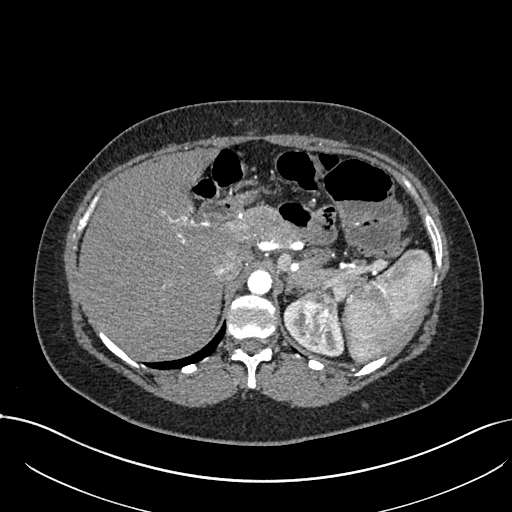
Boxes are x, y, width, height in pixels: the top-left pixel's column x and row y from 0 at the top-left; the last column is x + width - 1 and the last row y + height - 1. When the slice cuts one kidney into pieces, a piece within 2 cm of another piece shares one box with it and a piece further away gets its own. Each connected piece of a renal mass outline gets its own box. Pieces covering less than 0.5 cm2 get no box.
Slice 545/738 of a contrast-enhanced abdominal CT in the arterial phase, counting up from the lowest; pixel size 0.789 mm, slice thickness 1.00 mm. Boxed on this slice (one kidney box and one renal mass box), listed by box centre from the image's left to its right: (1) Box x 284, y 300, width 60, height 58: left kidney (outlined area 1,222 px, about 7.6 cm2). (2) Left renal mass, box x 296, y 291, width 42, height 57 (outlined area 1,736 px, about 10.8 cm2).
Scan settings: 120 kVp, I30f reconstruction kernel.